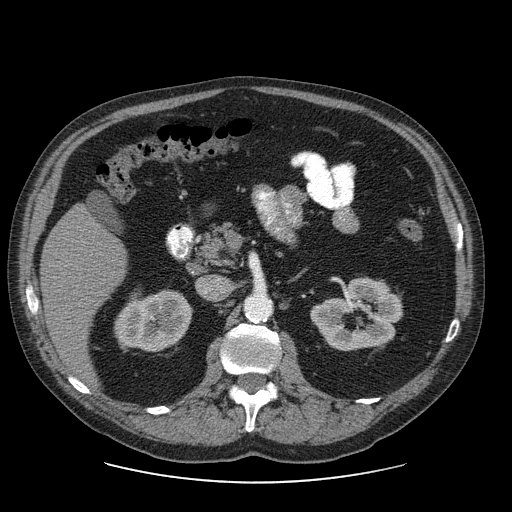
Contrast-enhanced abdominal CT, axial slice 48 of 103 (counted from the lowest slice); tube voltage 120 kVp, convolution kernel STANDARD; slices 2.50 mm thick, 0.820 mm per pixel.
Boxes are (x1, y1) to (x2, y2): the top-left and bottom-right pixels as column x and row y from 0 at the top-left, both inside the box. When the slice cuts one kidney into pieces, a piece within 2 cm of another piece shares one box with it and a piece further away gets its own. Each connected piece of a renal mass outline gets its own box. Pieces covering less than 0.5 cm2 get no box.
Boxed on this slice (two kidney boxes), listed by box centre from the image's left to its right: (1) Right kidney from (113, 289) to (192, 351) (outlined area 3,683 px, about 24.8 cm2). (2) Left kidney, box (310, 276) to (402, 351) (outlined area 4,651 px, about 31.3 cm2). No renal mass is outlined on this slice.